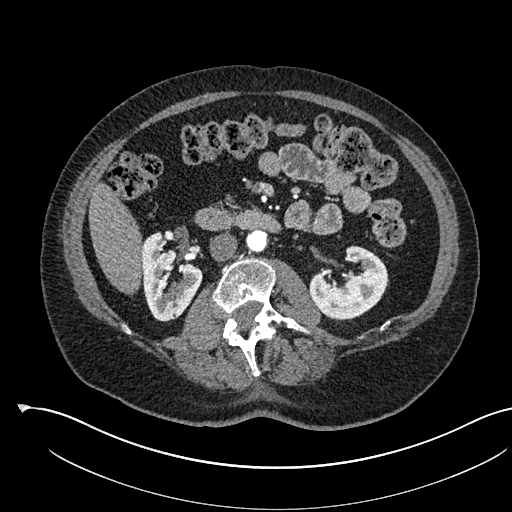
Arterial-phase contrast-enhanced abdominal CT, axial slice 296 of 541 (counted from the lowest slice); tube voltage 120 kVp, convolution kernel I30f; slices 1.00 mm thick, 0.834 mm per pixel.
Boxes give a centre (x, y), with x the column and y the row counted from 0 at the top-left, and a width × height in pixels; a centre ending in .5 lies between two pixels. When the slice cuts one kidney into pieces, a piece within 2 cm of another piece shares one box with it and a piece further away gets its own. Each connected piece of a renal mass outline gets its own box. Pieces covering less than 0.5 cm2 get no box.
Two boxes on this slice (two kidney boxes), listed by box centre from the image's left to its right. (1) Box centre (171.5, 276), 60 × 91 pixels: right kidney (outlined area 3,623 px, about 25.2 cm2). (2) Box centre (348.5, 282), 80 × 75 pixels: left kidney (outlined area 3,856 px, about 26.8 cm2). This slice carries no renal mass outline.